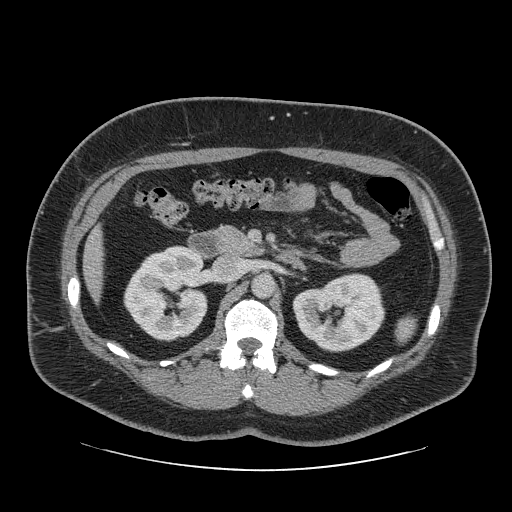
Arterial-phase contrast-enhanced abdominal CT, axial slice 41 of 69 (counted from the lowest slice); tube voltage 120 kVp, convolution kernel STANDARD; slices 2.50 mm thick, 0.846 mm per pixel.
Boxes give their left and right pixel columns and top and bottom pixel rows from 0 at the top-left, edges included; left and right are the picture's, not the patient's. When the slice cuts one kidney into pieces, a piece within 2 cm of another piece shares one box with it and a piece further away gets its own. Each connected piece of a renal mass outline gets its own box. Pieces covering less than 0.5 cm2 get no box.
Two boxes on this slice (two kidney boxes), listed by box centre from the image's left to its right. (1) Box with left 123, top 245, right 207, bottom 341: right kidney (outlined area 6,112 px, about 43.7 cm2). (2) Box with left 292, top 273, right 385, bottom 352: left kidney (outlined area 5,398 px, about 38.6 cm2). This slice carries no renal mass outline.